Abdominal CT with intravenous contrast, arterial phase, axial plane, 120 kVp, kernel B31f. Slice 304/620 from the bottom of the scan; thickness 2.00 mm; pixel size 0.637 mm.
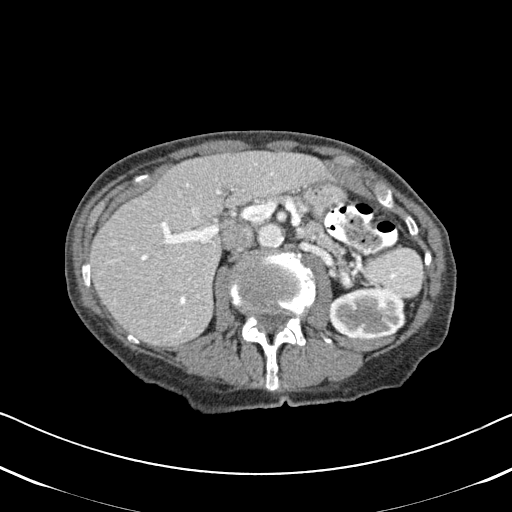
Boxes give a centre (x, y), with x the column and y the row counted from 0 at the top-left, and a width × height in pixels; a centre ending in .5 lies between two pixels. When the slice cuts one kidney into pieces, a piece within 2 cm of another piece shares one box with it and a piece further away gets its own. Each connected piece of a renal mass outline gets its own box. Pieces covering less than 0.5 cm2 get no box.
Left kidney, box centre (367, 313), 79 × 53 pixels (outlined area 3,336 px, about 13.5 cm2). This slice carries no renal mass outline.